Arterial-phase contrast-enhanced abdominal CT, axial slice 110 of 157 (counted from the lowest slice); tube voltage 120 kVp, convolution kernel B30f; slices 3.00 mm thick, 0.742 mm per pixel.
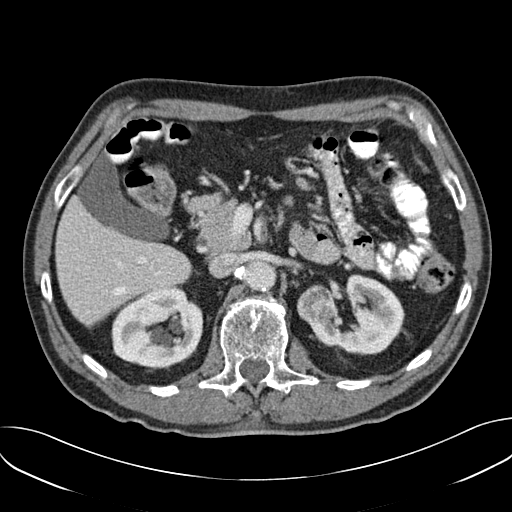
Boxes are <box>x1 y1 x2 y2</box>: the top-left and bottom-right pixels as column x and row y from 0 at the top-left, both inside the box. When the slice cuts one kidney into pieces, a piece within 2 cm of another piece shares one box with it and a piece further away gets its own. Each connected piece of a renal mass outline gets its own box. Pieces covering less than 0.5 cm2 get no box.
Three boxes on this slice (two kidney boxes and one renal mass box), listed by box centre from the image's left to its right. (1) Right kidney: <box>111 286 202 368</box> (outlined area 5,780 px, about 31.8 cm2). (2) Left renal mass at <box>297 283 332 322</box> (outlined area 1,131 px, about 6.2 cm2). (3) Left kidney at <box>308 273 404 355</box> (outlined area 4,844 px, about 26.7 cm2).